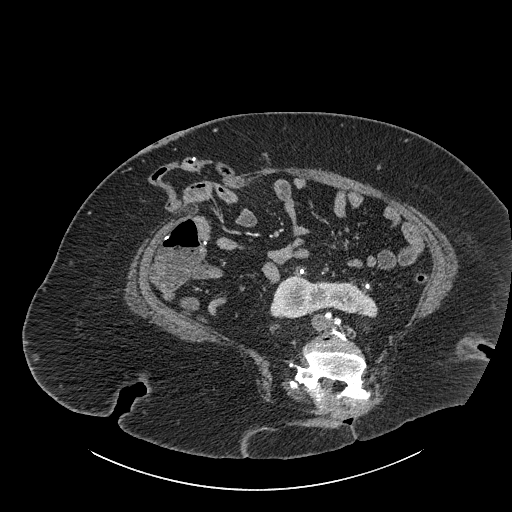
Abdominal CT with intravenous contrast, axial plane, 140 kVp, kernel I30f. Slice 422/834 from the bottom of the scan; thickness 1.00 mm; pixel size 0.977 mm.
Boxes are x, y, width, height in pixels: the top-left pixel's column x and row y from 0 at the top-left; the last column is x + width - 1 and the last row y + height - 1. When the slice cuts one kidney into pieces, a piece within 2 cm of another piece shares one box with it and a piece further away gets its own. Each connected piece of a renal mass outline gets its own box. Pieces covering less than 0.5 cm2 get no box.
Box x 269, y 275, width 109, height 44: kidney crossing the body midline (outlined area 3,304 px, about 31.5 cm2). No renal mass outline on this slice.